Contrast-enhanced abdominal CT, axial slice 71 of 121 (counted from the lowest slice); tube voltage 120 kVp, convolution kernel STANDARD; slices 2.50 mm thick, 0.742 mm per pixel.
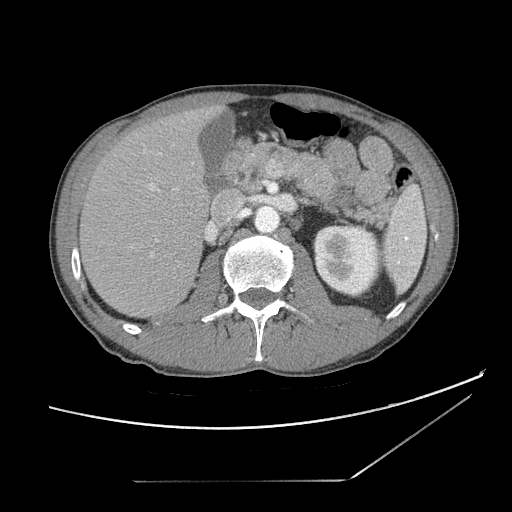
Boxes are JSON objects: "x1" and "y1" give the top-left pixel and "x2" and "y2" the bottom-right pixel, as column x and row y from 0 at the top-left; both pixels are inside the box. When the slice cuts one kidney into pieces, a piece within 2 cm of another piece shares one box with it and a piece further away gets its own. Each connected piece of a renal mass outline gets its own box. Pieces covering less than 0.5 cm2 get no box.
Box {"x1": 312, "y1": 224, "x2": 379, "y2": 297}: left kidney (outlined area 4,138 px, about 22.8 cm2). No renal mass outline on this slice.